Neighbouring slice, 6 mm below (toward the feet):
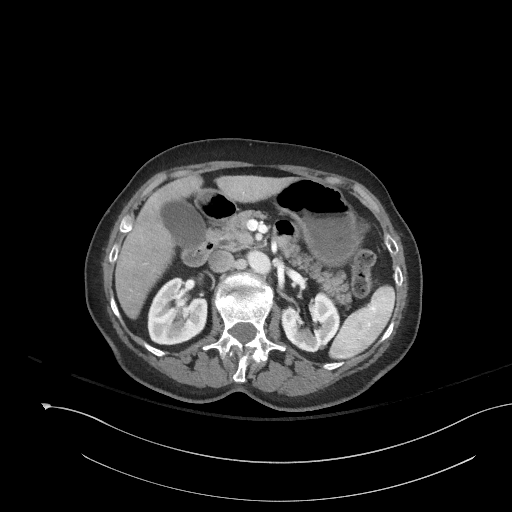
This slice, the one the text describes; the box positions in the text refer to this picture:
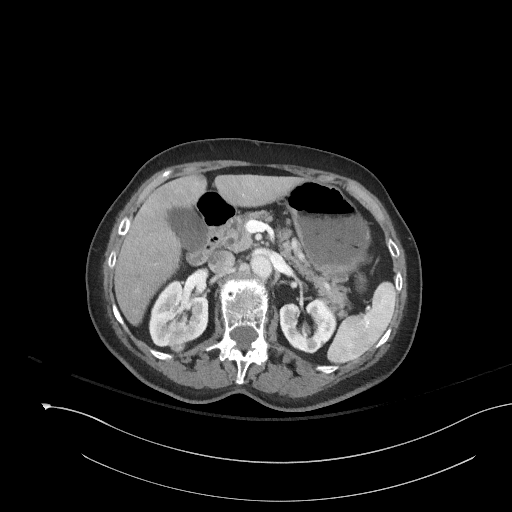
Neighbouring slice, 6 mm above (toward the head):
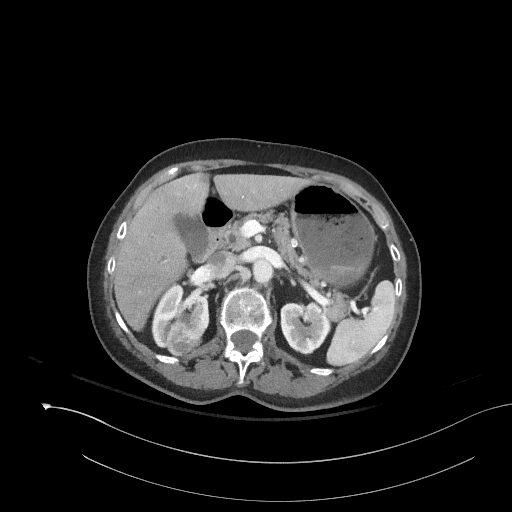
One axial slice (106 of 153, counting up from the lowest) of a contrast-enhanced abdominal CT acquired with 120 kVp, kernel I41f; each pixel is 0.893 mm and the slice is 3.00 mm thick.
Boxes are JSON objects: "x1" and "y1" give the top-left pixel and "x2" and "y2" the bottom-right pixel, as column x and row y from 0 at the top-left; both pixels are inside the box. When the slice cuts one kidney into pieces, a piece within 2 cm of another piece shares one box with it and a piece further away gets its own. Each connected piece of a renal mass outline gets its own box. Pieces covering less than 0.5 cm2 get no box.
Boxed on this slice (two kidney boxes and one renal mass box), listed by box centre from the image's left to its right: (1) Right renal mass at {"x1": 168, "y1": 336, "x2": 185, "y2": 353} (outlined area 240 px, about 1.9 cm2). (2) Right kidney at {"x1": 149, "y1": 281, "x2": 208, "y2": 345} (outlined area 2,862 px, about 22.8 cm2). (3) Left kidney at {"x1": 279, "y1": 298, "x2": 336, "y2": 353} (outlined area 2,322 px, about 18.5 cm2). This slice is near the end of the right renal mass toward the feet, so the slices 6 mm below and 6 mm above it are shown as well; the boxes refer to this slice only.